Axial slice 52 of 105 of a contrast-enhanced abdominal CT (slice 1 is the lowest), 120 kVp, kernel B; 3.00 mm slice thickness and 0.977 mm pixels.
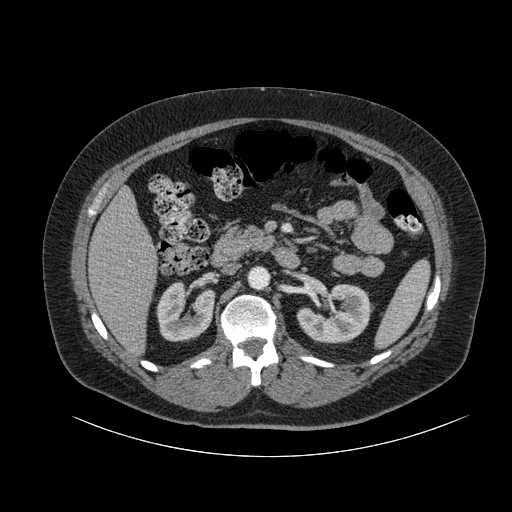
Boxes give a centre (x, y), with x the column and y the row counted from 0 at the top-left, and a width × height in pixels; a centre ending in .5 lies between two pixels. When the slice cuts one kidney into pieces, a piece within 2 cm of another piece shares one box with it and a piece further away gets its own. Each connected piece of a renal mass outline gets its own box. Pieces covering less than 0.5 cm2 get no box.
Two boxes on this slice (two kidney boxes), listed by box centre from the image's left to its right. (1) Box centre (185.5, 311), 60 × 61 pixels: right kidney (outlined area 2,698 px, about 25.7 cm2). (2) Left kidney, box centre (333, 313), 75 × 61 pixels (outlined area 3,205 px, about 30.6 cm2). This slice carries no renal mass outline.